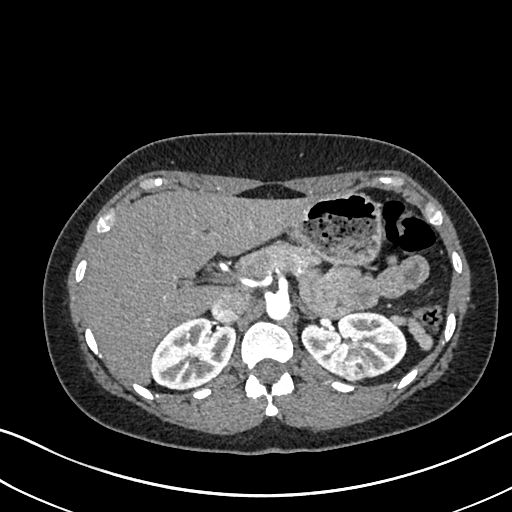
One axial slice (482 of 612, counting up from the lowest) of an arterial-phase abdominal CT acquired with 120 kVp, kernel I30f; each pixel is 0.703 mm and the slice is 1.00 mm thick.
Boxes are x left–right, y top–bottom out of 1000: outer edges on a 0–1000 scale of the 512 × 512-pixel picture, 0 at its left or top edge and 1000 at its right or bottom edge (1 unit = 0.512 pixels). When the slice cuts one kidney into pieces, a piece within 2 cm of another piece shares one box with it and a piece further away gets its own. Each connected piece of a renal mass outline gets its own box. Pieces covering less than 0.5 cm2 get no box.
Two kidney boxes and one renal mass box on this slice; by box centre, from the image's left to its right: (1) Right kidney at x 295–463, y 619–762 out of 1000 (outlined area 4,589 px, about 22.7 cm2). (2) Left kidney, box x 588–795, y 607–746 out of 1000 (outlined area 4,918 px, about 24.3 cm2). (3) Box x 670–723, y 693–746 out of 1000: left renal mass (outlined area 560 px, about 2.8 cm2).